Axial slice 324 of 602 of a contrast-enhanced abdominal CT in the arterial phase (slice 1 is the lowest), 120 kVp, kernel I30f; 1.00 mm slice thickness and 0.799 mm pixels.
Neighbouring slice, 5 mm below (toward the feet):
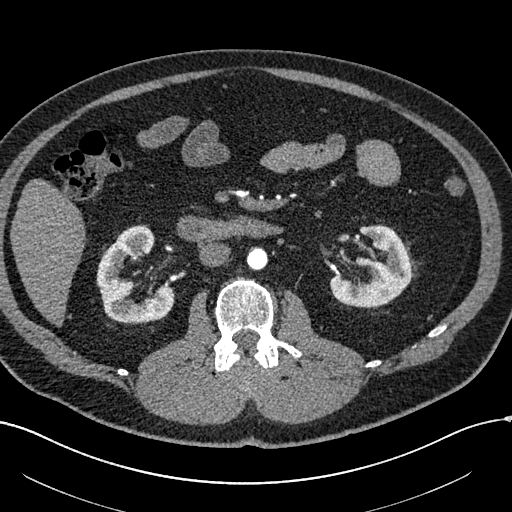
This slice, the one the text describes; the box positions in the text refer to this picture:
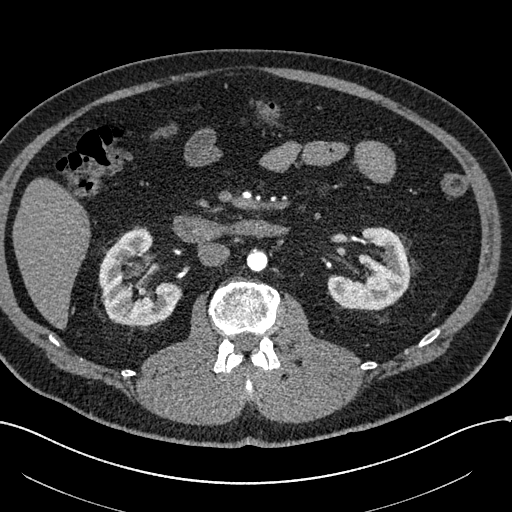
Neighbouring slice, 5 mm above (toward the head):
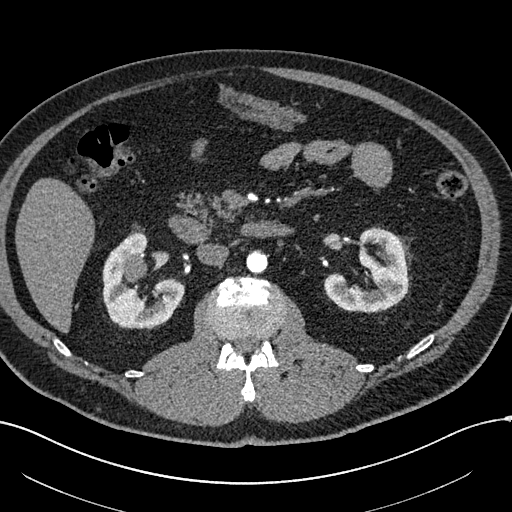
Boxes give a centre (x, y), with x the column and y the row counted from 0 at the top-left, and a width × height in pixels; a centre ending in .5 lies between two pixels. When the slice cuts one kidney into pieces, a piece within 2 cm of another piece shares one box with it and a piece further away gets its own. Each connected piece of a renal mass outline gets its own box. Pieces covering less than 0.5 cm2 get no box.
Boxed on this slice (two kidney boxes and one renal mass box), listed by box centre from the image's left to its right: (1) Right renal mass in a box with centre (137, 268.5), 11 × 14 pixels (outlined area 120 px, about 0.8 cm2). (2) Box centre (139.5, 276.5), 84 × 98 pixels: right kidney (outlined area 5,131 px, about 32.7 cm2). (3) Box centre (368, 268), 83 × 83 pixels: left kidney (outlined area 4,427 px, about 28.2 cm2). This slice lies near the end of the right renal mass toward the feet; the slices 5 mm below and 5 mm above it are shown too, and the boxes mark positions on this slice only.